Abdominal CT with intravenous contrast, arterial phase, axial plane, 140 kVp, kernel I30f. Slice 512/673 from the bottom of the scan; thickness 1.00 mm; pixel size 0.957 mm.
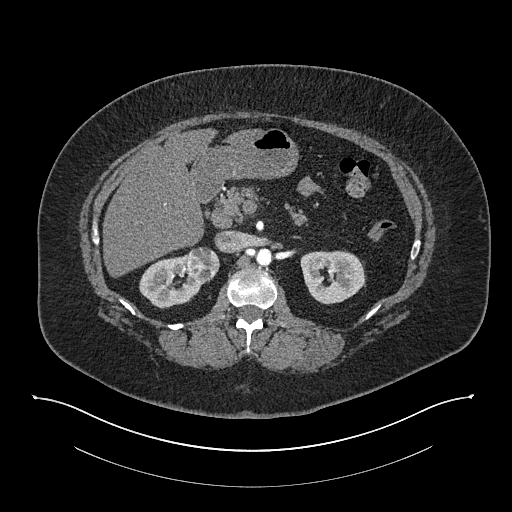
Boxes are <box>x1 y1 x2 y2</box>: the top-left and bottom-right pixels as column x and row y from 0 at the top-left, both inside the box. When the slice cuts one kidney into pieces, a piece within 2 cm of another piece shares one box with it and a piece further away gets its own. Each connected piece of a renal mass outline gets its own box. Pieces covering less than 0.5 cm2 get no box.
Three boxes on this slice (two kidney boxes and one renal mass box), listed by box centre from the image's left to its right. (1) Right kidney: <box>139 254 205 308</box> (outlined area 2,294 px, about 21.0 cm2). (2) Right renal mass: <box>187 247 219 282</box> (outlined area 925 px, about 8.5 cm2). (3) Left kidney: <box>300 250 365 304</box> (outlined area 2,765 px, about 25.3 cm2).